Arterial-phase contrast-enhanced abdominal CT, axial slice 281 of 602 (counted from the lowest slice); tube voltage 120 kVp, convolution kernel I30f; slices 1.00 mm thick, 0.799 mm per pixel.
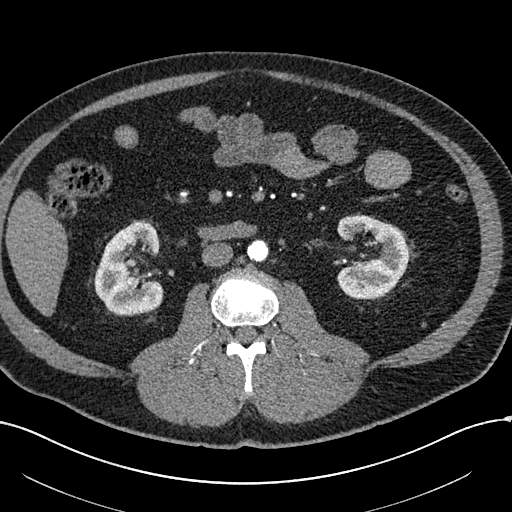
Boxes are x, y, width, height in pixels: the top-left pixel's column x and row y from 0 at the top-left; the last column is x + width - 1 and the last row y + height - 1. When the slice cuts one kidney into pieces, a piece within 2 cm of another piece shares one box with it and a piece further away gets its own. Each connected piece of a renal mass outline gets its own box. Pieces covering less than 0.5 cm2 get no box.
Two boxes on this slice (two kidney boxes), listed by box centre from the image's left to its right. (1) Box x 94, y 221, width 70, height 95: right kidney (outlined area 4,764 px, about 30.4 cm2). (2) Left kidney, box x 336, y 215, width 73, height 85 (outlined area 4,303 px, about 27.5 cm2). This slice carries no renal mass outline.